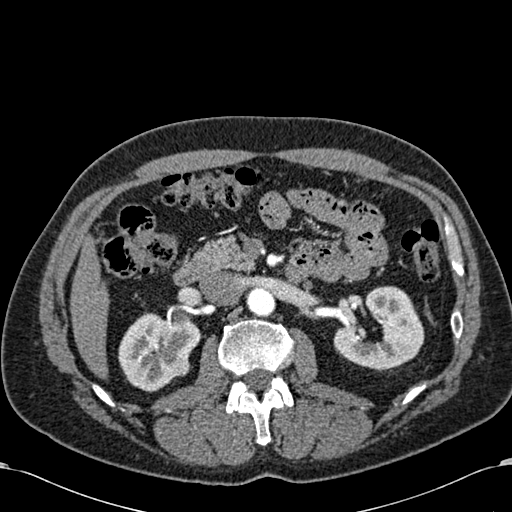
Arterial-phase contrast-enhanced abdominal CT, axial slice 368 of 581 (counted from the lowest slice); tube voltage 120 kVp, convolution kernel B30f; slices 1.00 mm thick, 0.713 mm per pixel.
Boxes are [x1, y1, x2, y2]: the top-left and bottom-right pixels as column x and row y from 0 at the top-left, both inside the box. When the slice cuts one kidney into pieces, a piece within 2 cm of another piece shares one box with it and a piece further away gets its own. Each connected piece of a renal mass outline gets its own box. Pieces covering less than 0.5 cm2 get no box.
Three boxes on this slice (two kidney boxes and one renal mass box), listed by box centre from the image's left to its right. (1) Right kidney at [118, 313, 201, 392] (outlined area 4,281 px, about 21.8 cm2). (2) Box [171, 357, 190, 376]: right renal mass (outlined area 344 px, about 1.7 cm2). (3) Left kidney at [333, 286, 424, 370] (outlined area 5,083 px, about 25.8 cm2).